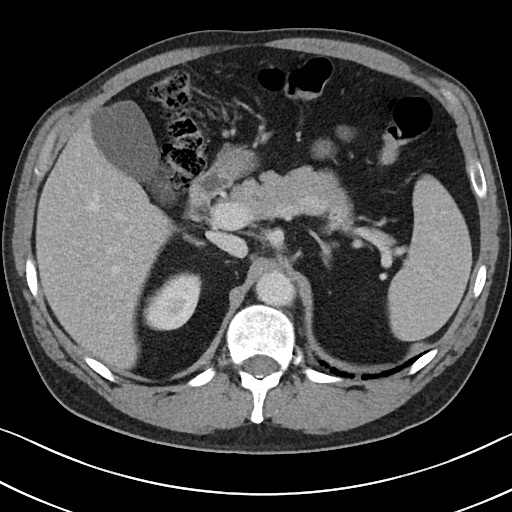
Axial slice 75 of 101 of a contrast-enhanced abdominal CT (slice 1 is the lowest), 100 kVp, kernel I40f; 5.00 mm slice thickness and 0.684 mm pixels.
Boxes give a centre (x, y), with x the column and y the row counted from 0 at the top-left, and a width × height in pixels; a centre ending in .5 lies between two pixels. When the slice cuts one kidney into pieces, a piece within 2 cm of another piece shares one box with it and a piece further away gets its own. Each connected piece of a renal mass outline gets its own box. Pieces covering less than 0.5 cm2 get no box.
Right kidney, box centre (172, 301), 59 × 59 pixels (outlined area 2,446 px, about 11.4 cm2). No renal mass outline on this slice.